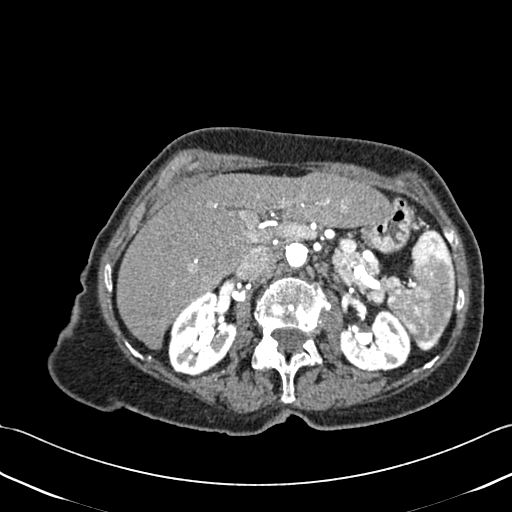
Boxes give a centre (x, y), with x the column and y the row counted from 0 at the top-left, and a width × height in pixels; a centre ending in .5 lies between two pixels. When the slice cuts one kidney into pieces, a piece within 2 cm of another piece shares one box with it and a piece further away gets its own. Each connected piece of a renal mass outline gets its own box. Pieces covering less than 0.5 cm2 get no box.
Slice 281/433 of a contrast-enhanced abdominal CT, counting up from the lowest; pixel size 0.672 mm, slice thickness 1.00 mm. Two boxes on this slice (two kidney boxes), listed by box centre from the image's left to its right. (1) Right kidney in a box with centre (202, 333.5), 69 × 84 pixels (outlined area 4,075 px, about 18.4 cm2). (2) Left kidney, box centre (375, 339.5), 73 × 64 pixels (outlined area 3,344 px, about 15.1 cm2). No renal mass outline on this slice.
Tube voltage 120 kVp; convolution kernel B30f.